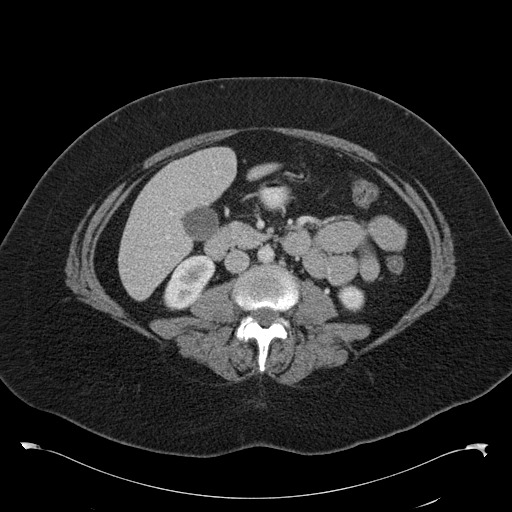
Axial slice 56 of 97 of a contrast-enhanced abdominal CT in the arterial phase (slice 1 is the lowest), 120 kVp, kernel B30f; 5.00 mm slice thickness and 0.824 mm pixels.
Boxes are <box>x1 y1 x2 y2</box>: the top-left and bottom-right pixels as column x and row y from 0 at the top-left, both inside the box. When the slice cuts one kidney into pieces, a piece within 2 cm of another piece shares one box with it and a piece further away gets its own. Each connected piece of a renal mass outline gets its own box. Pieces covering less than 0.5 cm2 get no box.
Two kidney boxes on this slice; by box centre, from the image's left to its right: (1) At <box>163 254 215 310</box>: right kidney (outlined area 1,939 px, about 13.2 cm2). (2) Left kidney: <box>338 285 364 312</box> (outlined area 564 px, about 3.8 cm2). No renal mass is outlined on this slice.